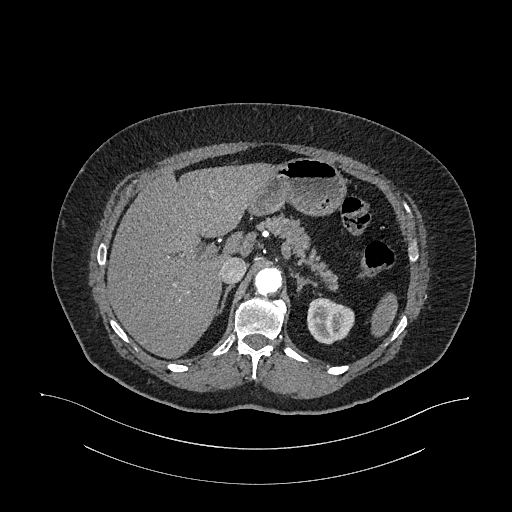
One axial slice (777 of 987, counting up from the lowest) of an arterial-phase abdominal CT acquired with 120 kVp, kernel I26f; each pixel is 0.977 mm and the slice is 1.00 mm thick.
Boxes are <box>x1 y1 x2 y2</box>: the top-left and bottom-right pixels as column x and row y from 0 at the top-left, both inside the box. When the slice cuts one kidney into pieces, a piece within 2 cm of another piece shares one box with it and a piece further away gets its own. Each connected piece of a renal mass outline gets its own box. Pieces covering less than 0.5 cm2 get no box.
At <box>307 297 354 344</box>: left kidney (outlined area 1,725 px, about 16.5 cm2). No renal mass outline on this slice.